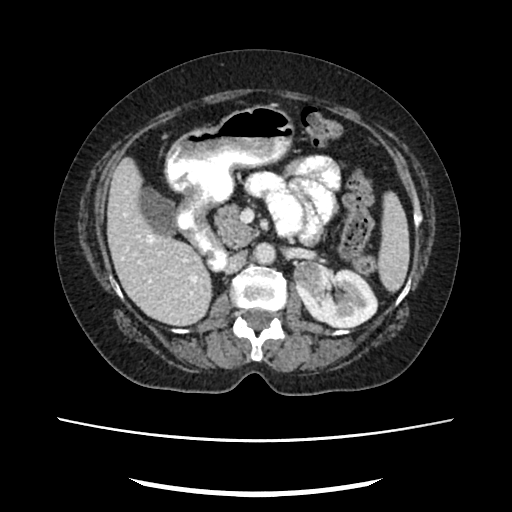
Abdominal CT with intravenous contrast, arterial phase, axial plane, 120 kVp, kernel FC18. Slice 142/207 from the bottom of the scan; thickness 2.00 mm; pixel size 0.741 mm.
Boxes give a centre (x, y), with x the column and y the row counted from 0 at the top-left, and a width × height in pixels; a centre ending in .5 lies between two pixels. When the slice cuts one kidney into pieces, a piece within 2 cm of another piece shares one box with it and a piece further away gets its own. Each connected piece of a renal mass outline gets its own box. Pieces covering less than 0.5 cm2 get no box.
Two boxes on this slice (one kidney box and one renal mass box), listed by box centre from the image's left to its right. (1) Left renal mass, box centre (307.5, 275), 30 × 33 pixels (outlined area 752 px, about 4.1 cm2). (2) Box centre (336, 295.5), 85 × 66 pixels: left kidney (outlined area 3,432 px, about 18.8 cm2).